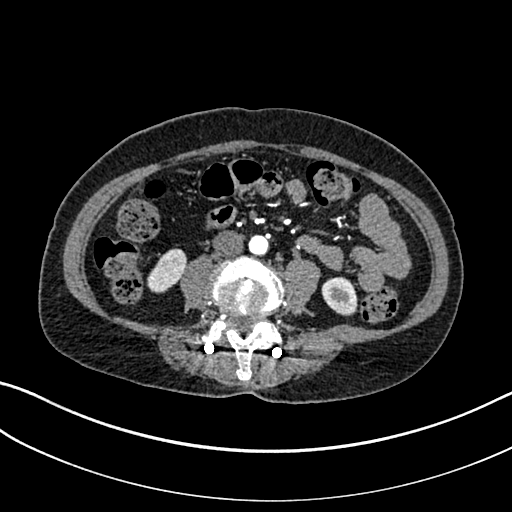
Arterial-phase contrast-enhanced abdominal CT, axial slice 61 of 325 (counted from the lowest slice); tube voltage 100 kVp, convolution kernel I30f; slices 1.00 mm thick, 0.703 mm per pixel.
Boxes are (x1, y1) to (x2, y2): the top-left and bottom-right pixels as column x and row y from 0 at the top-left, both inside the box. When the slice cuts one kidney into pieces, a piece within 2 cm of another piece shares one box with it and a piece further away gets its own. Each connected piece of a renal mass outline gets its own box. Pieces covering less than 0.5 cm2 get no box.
Two kidney boxes on this slice; by box centre, from the image's left to its right: (1) Box (147, 248) to (186, 293): right kidney (outlined area 1,201 px, about 5.9 cm2). (2) Left kidney from (321, 276) to (357, 315) (outlined area 1,099 px, about 5.4 cm2). No renal mass outline on this slice.